One axial slice (67 of 98, counting up from the lowest) of an arterial-phase abdominal CT acquired with 120 kVp, kernel B; each pixel is 0.703 mm and the slice is 5.00 mm thick.
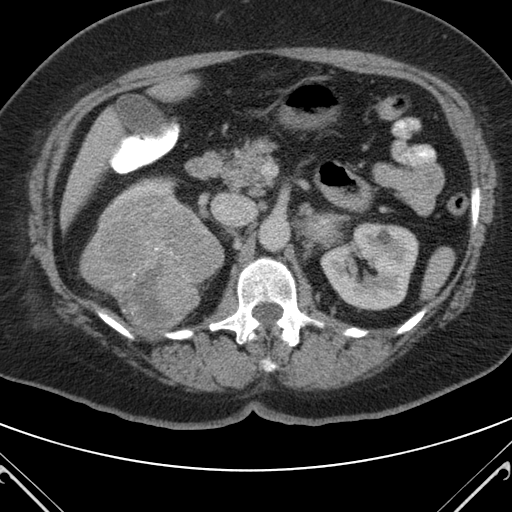
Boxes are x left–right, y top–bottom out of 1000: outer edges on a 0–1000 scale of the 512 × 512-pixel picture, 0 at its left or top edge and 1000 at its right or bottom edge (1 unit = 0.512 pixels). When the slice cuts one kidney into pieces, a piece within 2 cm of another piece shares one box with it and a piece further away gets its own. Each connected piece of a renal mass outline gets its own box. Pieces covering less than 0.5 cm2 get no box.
Boxed on this slice (two kidney boxes and one renal mass box), listed by box centre from the image's left to its right: (1) Box x 238–350, y 344–381 out of 1000: right kidney (outlined area 546 px, about 2.7 cm2). (2) Right renal mass, box x 154–439, y 365–666 out of 1000 (outlined area 14,423 px, about 71.3 cm2). (3) Left kidney at x 625–818, y 434–607 out of 1000 (outlined area 6,270 px, about 31.0 cm2).